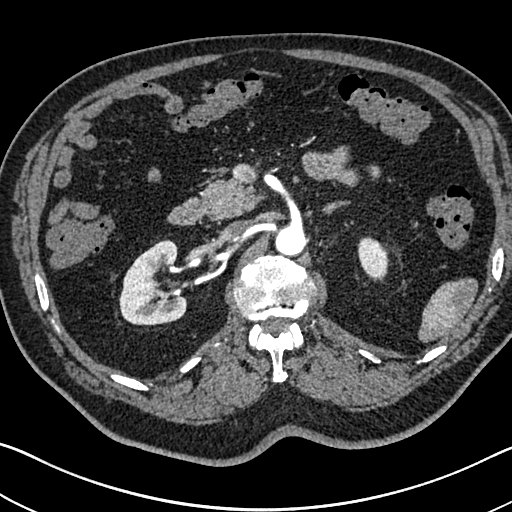
Axial slice 461 of 705 of a contrast-enhanced abdominal CT in the arterial phase (slice 1 is the lowest), 120 kVp, kernel I30f; 1.00 mm slice thickness and 0.703 mm pixels.
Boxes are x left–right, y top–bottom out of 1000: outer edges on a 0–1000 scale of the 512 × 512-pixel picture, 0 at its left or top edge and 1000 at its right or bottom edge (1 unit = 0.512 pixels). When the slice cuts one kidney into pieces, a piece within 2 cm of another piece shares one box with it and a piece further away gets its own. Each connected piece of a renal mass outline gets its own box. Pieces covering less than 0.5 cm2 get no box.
Two kidney boxes on this slice; by box centre, from the image's left to its right: (1) Right kidney, box x 232–367, y 467–637 out of 1000 (outlined area 4,197 px, about 20.7 cm2). (2) Left kidney at x 697–762, y 461–553 out of 1000 (outlined area 1,075 px, about 5.3 cm2). No renal mass outline on this slice.